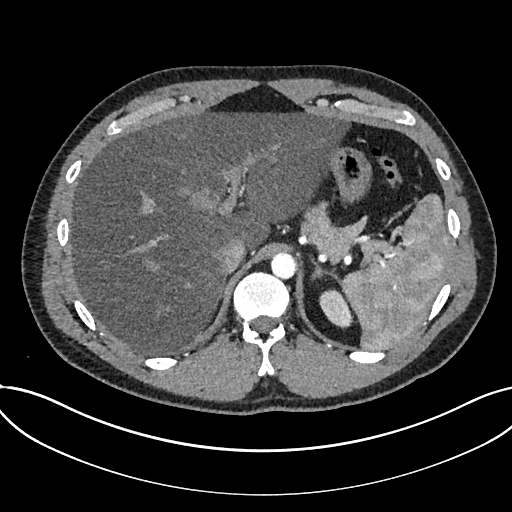
One axial slice (585 of 735, counting up from the lowest) of an arterial-phase abdominal CT acquired with 120 kVp, kernel I30f; each pixel is 0.789 mm and the slice is 1.00 mm thick.
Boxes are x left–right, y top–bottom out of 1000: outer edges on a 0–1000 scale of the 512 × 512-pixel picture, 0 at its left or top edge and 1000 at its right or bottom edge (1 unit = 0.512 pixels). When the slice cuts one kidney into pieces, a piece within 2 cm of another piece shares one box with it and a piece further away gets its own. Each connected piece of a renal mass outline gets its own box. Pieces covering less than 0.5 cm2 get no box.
Kidney, box x 623–691, y 564–643 out of 1000 (outlined area 904 px, about 5.6 cm2). No renal mass outline on this slice.